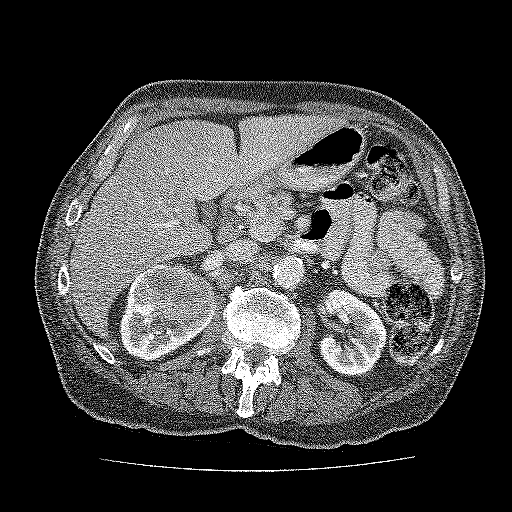
Contrast-enhanced abdominal CT, axial slice 101 of 137 (counted from the lowest slice); tube voltage 120 kVp, convolution kernel FC52; slices 3.00 mm thick, 0.741 mm per pixel.
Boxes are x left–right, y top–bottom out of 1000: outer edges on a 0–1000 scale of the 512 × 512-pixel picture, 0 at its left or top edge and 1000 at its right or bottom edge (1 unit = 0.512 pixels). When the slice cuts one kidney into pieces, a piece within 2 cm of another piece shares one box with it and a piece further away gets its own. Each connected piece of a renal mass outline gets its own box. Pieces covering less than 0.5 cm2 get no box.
Boxed on this slice (two kidney boxes and one renal mass box), listed by box centre from the image's left to its right: (1) Kidney at x 232–398, y 541–709 out of 1000 (outlined area 2,900 px, about 15.9 cm2). (2) Box x 264–424, y 516–646 out of 1000: renal mass (outlined area 4,130 px, about 22.7 cm2). (3) Box x 623–758, y 563–736 out of 1000: kidney (outlined area 4,429 px, about 24.3 cm2).